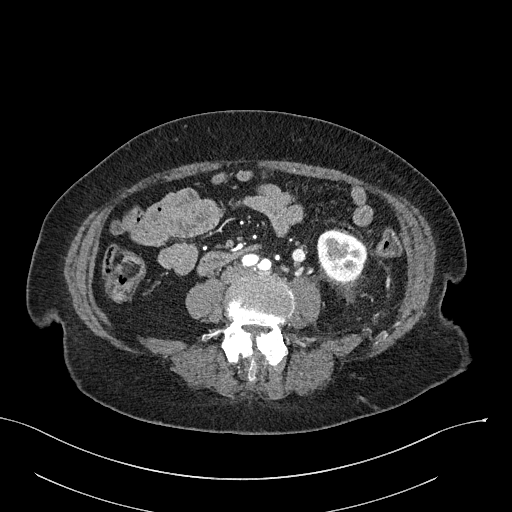
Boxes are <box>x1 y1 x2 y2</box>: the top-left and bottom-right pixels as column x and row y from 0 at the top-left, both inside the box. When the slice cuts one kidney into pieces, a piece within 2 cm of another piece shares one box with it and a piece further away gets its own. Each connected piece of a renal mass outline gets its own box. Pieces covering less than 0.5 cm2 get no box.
Arterial-phase contrast-enhanced abdominal CT, axial slice 79 of 316 (counted from the lowest slice); 2.00 mm thick, 0.840 mm per pixel. Left kidney at <box>317 230 365 282</box> (outlined area 1,982 px, about 14.0 cm2). No renal mass outline on this slice.
Acquired at 100 kVp and reconstructed with the I40f kernel.